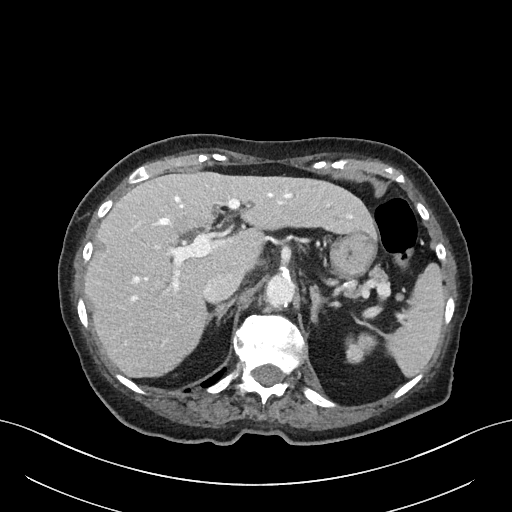
One axial slice (50 of 76, counting up from the lowest) of a contrast-enhanced abdominal CT acquired with 100 kVp, kernel I40f; each pixel is 0.768 mm and the slice is 3.00 mm thick.
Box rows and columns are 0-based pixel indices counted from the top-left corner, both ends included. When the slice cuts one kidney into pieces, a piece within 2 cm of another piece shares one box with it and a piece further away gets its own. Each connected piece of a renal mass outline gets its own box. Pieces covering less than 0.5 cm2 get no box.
Left kidney, box rows 332–363, columns 345–378 (outlined area 733 px, about 4.3 cm2). This slice carries no renal mass outline.